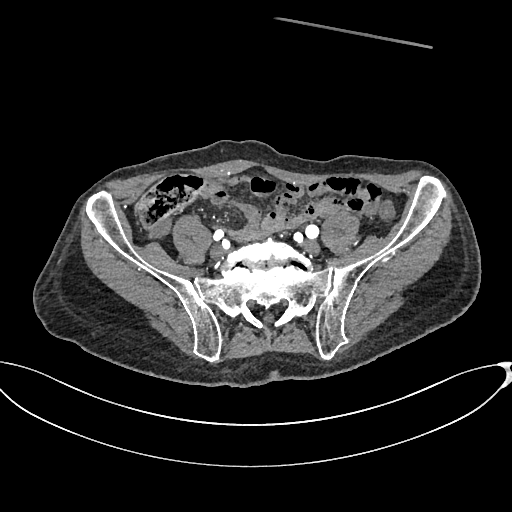
Arterial-phase contrast-enhanced abdominal CT, axial slice 128 of 665 (counted from the lowest slice); tube voltage 100 kVp, convolution kernel I26f; slices 1.00 mm thick, 0.828 mm per pixel.
Outside the outlined region: no kidney outline and no renal mass outline on this slice. The scan's outlines cover only kidneys and renal masses; no other organ is outlined.